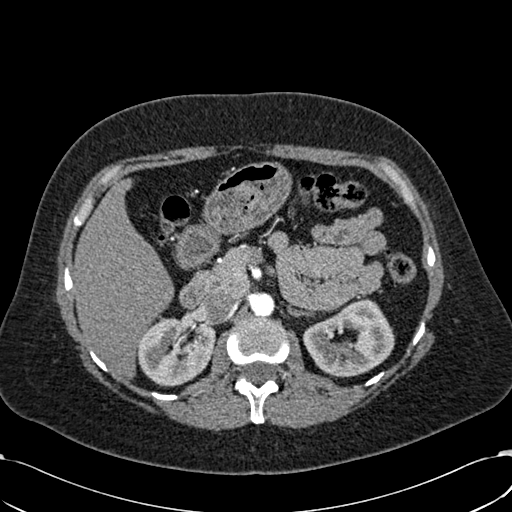
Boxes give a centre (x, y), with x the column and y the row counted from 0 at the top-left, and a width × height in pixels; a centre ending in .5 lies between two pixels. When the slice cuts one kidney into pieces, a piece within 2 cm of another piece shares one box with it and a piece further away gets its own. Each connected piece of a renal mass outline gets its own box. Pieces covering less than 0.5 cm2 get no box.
Slice 397/532 of a contrast-enhanced abdominal CT in the arterial phase, counting up from the lowest; pixel size 0.713 mm, slice thickness 1.00 mm. Two boxes on this slice (two kidney boxes), listed by box centre from the image's left to its right. (1) Right kidney in a box with centre (175.5, 352), 80 × 69 pixels (outlined area 4,232 px, about 21.5 cm2). (2) Left kidney in a box with centre (348.5, 337.5), 92 × 80 pixels (outlined area 4,830 px, about 24.5 cm2). No renal mass outline on this slice.
Acquired at 120 kVp and reconstructed with the B30f kernel.